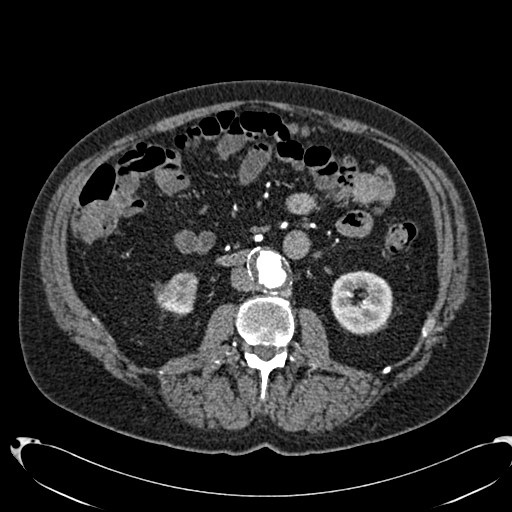
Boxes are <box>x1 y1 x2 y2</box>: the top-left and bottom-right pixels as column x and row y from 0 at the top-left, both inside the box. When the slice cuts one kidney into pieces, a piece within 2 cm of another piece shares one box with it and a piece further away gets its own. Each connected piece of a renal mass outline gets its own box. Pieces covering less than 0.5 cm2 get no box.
This is axial slice 362 of 553 (slice 1 is the lowest) of an arterial-phase abdominal CT with contrast; each pixel is 0.773 mm and the slice is 1.00 mm thick. Two boxes on this slice (two kidney boxes), listed by box centre from the image's left to its right. (1) At <box>158 271 197 315</box>: right kidney (outlined area 1,322 px, about 7.9 cm2). (2) Left kidney: <box>330 270 393 333</box> (outlined area 3,081 px, about 18.4 cm2). No renal mass outline on this slice.
Acquired at 120 kVp and reconstructed with the B20f kernel.